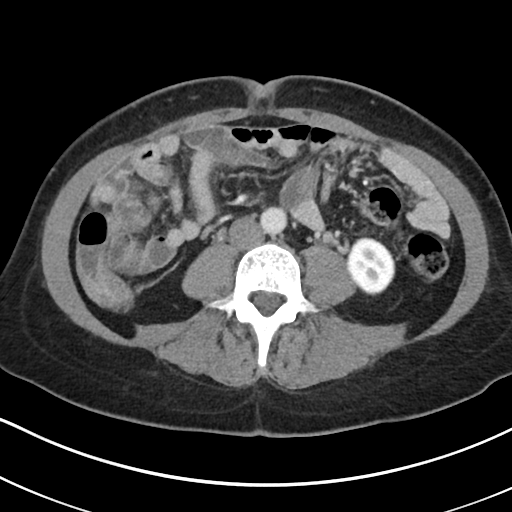
Axial slice 91 of 178 of a contrast-enhanced abdominal CT (slice 1 is the lowest), 100 kVp, kernel I30f; 5.00 mm slice thickness and 0.650 mm pixels.
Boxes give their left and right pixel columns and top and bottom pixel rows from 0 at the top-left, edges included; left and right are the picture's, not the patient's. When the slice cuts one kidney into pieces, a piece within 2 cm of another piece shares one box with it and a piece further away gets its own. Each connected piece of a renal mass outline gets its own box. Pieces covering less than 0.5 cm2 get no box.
Left kidney in the box with left 346, top 236, right 395, bottom 295 (outlined area 2,215 px, about 9.4 cm2). This slice carries no renal mass outline.